Abdominal CT with intravenous contrast, arterial phase, axial plane, 120 kVp, kernel I26f. Slice 232/548 from the bottom of the scan; thickness 1.00 mm; pixel size 0.852 mm.
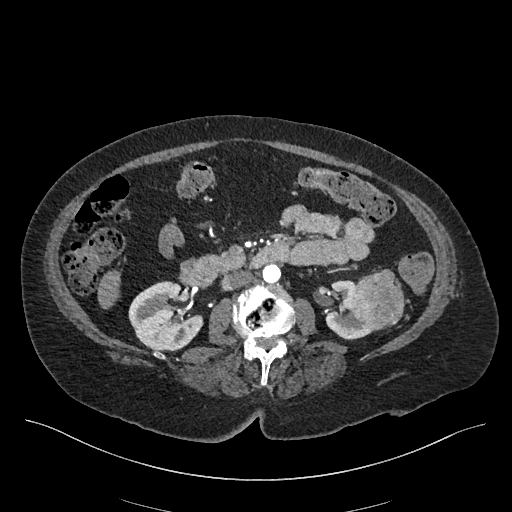
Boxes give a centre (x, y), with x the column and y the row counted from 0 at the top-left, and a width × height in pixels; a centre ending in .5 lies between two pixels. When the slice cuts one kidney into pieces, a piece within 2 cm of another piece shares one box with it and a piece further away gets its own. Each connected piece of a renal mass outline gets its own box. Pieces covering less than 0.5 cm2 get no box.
Two kidney boxes and one renal mass box on this slice; by box centre, from the image's left to its right: (1) Right kidney in a box with centre (165.5, 316), 76 × 71 pixels (outlined area 3,789 px, about 27.5 cm2). (2) Left kidney, box centre (353.5, 309.5), 58 × 60 pixels (outlined area 1,711 px, about 12.4 cm2). (3) Left renal mass, box centre (377.5, 298.5), 54 × 60 pixels (outlined area 2,444 px, about 17.7 cm2).